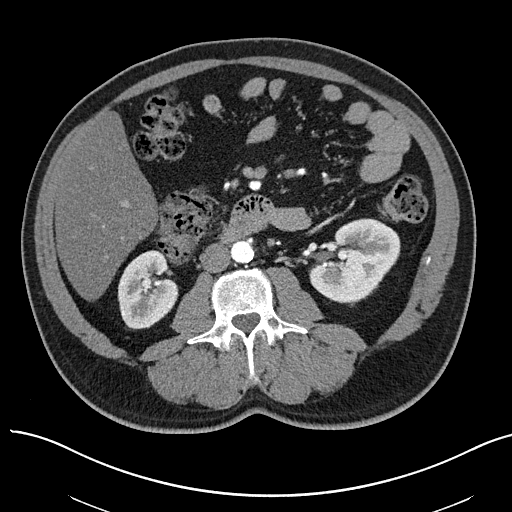
Abdominal CT with intravenous contrast, arterial phase, axial plane, 100 kVp, kernel I40f. Slice 25/97 from the bottom of the scan; thickness 3.00 mm; pixel size 0.797 mm.
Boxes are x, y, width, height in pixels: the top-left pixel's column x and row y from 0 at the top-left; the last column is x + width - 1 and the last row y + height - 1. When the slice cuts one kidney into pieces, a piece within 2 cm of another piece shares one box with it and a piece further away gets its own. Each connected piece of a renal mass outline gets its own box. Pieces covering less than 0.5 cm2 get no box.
Boxed on this slice (two kidney boxes), listed by box centre from the image's left to its right: (1) Right kidney at x 117, y 250, width 62, height 80 (outlined area 3,596 px, about 22.8 cm2). (2) Box x 309, y 218, width 92, height 86: left kidney (outlined area 5,429 px, about 34.5 cm2). This slice carries no renal mass outline.